Abdominal CT with intravenous contrast, arterial phase, axial plane, 100 kVp, kernel I40f. Slice 186/316 from the bottom of the scan; thickness 2.00 mm; pixel size 0.840 mm.
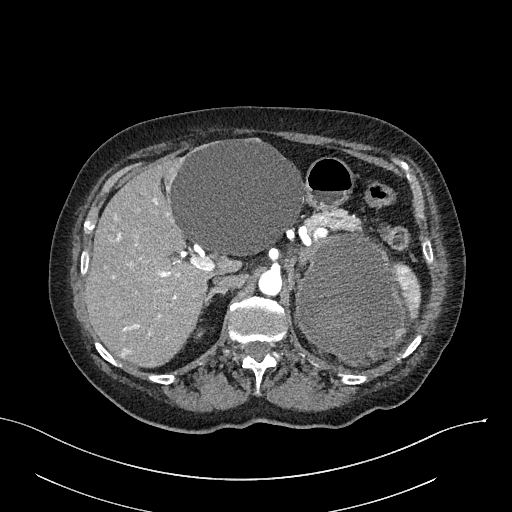
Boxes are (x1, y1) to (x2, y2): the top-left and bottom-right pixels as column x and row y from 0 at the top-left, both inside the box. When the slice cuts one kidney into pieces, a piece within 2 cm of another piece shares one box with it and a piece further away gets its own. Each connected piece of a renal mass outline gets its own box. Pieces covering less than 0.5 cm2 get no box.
Two boxes on this slice (one kidney box and one renal mass box), listed by box centre from the image's left to its right. (1) Right kidney from (194, 328) to (205, 338) (outlined area 74 px, about 0.5 cm2). (2) Left renal mass from (295, 233) to (408, 366) (outlined area 11,485 px, about 81.0 cm2); on this slice it lies more than 1 cm from any kidney outline, but the same outlined renal mass comes within 1 cm of the kidney on another slice.